Contrast-enhanced abdominal CT, axial slice 73 of 102 (counted from the lowest slice); tube voltage 120 kVp, convolution kernel B41f; slices 5.00 mm thick, 0.807 mm per pixel.
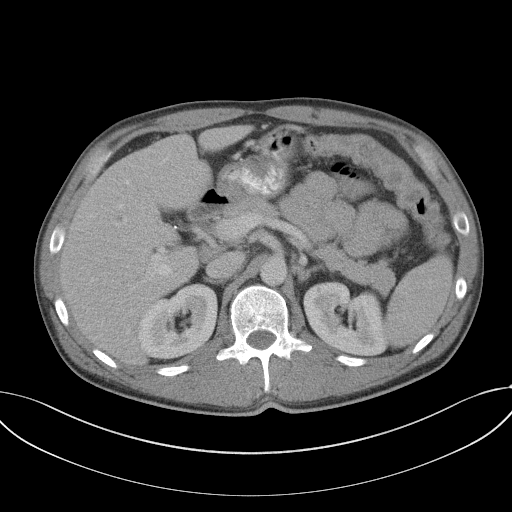
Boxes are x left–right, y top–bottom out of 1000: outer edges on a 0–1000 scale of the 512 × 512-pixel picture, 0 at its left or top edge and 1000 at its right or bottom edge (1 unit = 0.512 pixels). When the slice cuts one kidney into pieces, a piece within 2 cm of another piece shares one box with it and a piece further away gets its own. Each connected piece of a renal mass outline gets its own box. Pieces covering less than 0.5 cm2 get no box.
Two boxes on this slice (two kidney boxes), listed by box centre from the image's left to its right. (1) Right kidney at x 268–426, y 553–703 out of 1000 (outlined area 4,506 px, about 29.3 cm2). (2) Box x 592–760, y 549–697 out of 1000: left kidney (outlined area 4,787 px, about 31.1 cm2). This slice carries no renal mass outline.